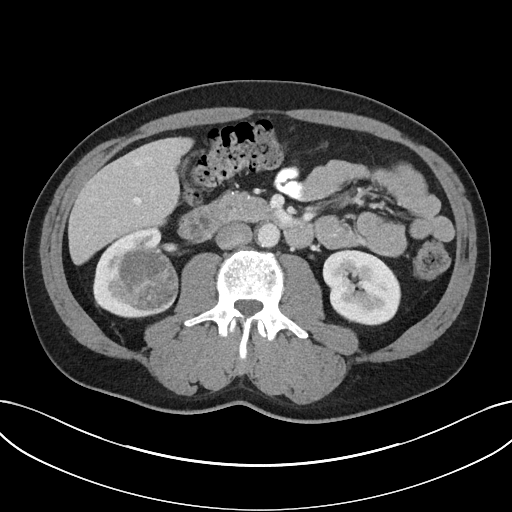
Axial slice 12 of 32 of a contrast-enhanced abdominal CT in the arterial phase (slice 1 is the lowest), 100 kVp, kernel I40f; 5.00 mm slice thickness and 0.779 mm pixels.
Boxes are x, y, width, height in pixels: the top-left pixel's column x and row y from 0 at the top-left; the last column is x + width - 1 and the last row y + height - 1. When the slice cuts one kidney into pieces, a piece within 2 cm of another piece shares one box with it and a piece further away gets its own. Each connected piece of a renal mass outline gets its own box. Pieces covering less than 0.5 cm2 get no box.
Two kidney boxes and one renal mass box on this slice; by box centre, from the image's left to its right: (1) Right kidney at x 93, y 227, width 70, height 92 (outlined area 2,755 px, about 16.7 cm2). (2) Right renal mass, box x 117, y 246, width 62, height 66 (outlined area 3,164 px, about 19.2 cm2). (3) Left kidney at x 322, y 248, width 80, height 78 (outlined area 4,656 px, about 28.3 cm2).